Abdominal CT with intravenous contrast, arterial phase, axial plane, 120 kVp, kernel STANDARD. Slice 100/233 from the bottom of the scan; thickness 1.25 mm; pixel size 0.703 mm.
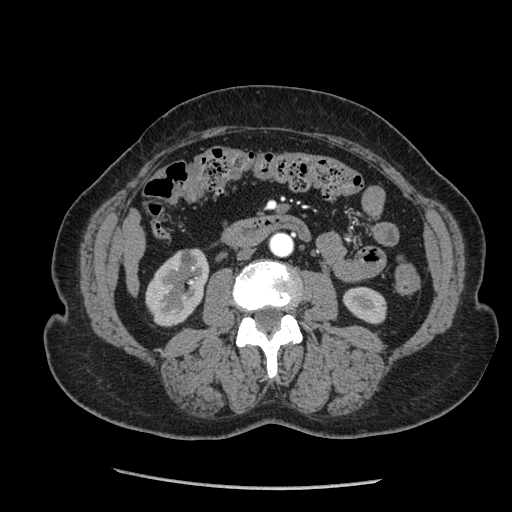
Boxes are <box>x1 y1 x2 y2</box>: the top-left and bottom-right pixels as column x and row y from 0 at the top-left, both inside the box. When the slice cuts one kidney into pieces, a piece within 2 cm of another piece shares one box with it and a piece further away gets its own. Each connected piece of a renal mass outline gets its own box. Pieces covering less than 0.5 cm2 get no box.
Two boxes on this slice (two kidney boxes), listed by box centre from the image's left to its right. (1) Right kidney: <box>145 248 209 327</box> (outlined area 3,611 px, about 17.9 cm2). (2) At <box>342 286 386 324</box>: left kidney (outlined area 1,262 px, about 6.2 cm2). No renal mass outline on this slice.